Abdominal CT with intravenous contrast, axial plane, 100 kVp, kernel I40f. Slice 40/90 from the bottom of the scan; thickness 5.00 mm; pixel size 0.684 mm.
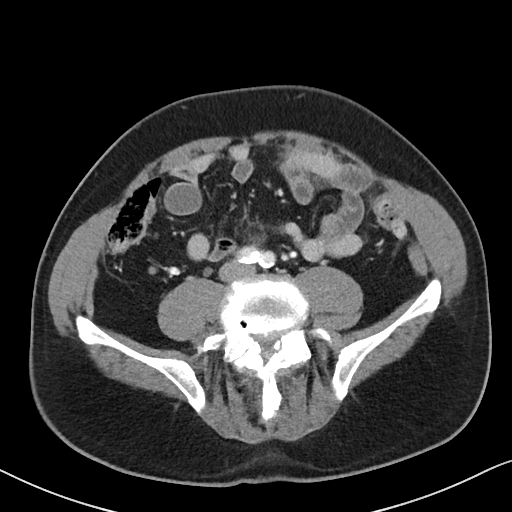
Outside the outlined region: no kidney outline and no renal mass outline on this slice. The scan's outlines cover only kidneys and renal masses; no other organ is outlined.